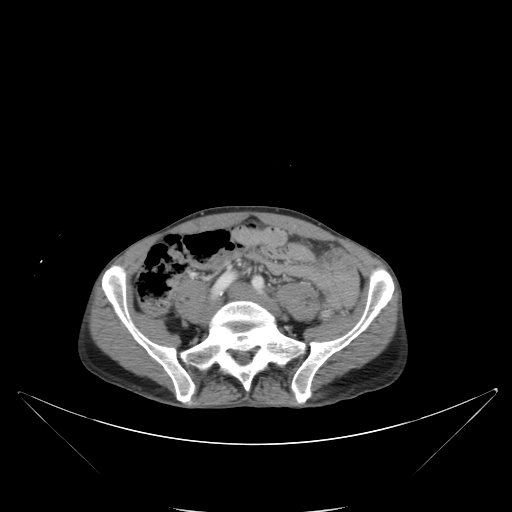
This is axial slice 37 of 88 (slice 1 is the lowest) of an abdominal CT with contrast; each pixel is 0.865 mm and the slice is 5.00 mm thick. This slice carries no outline: it lies beyond the outlined kidneys and beyond every outlined renal mass. Other organs are not outlined in this scan.
Acquired at 120 kVp and reconstructed with the B kernel.